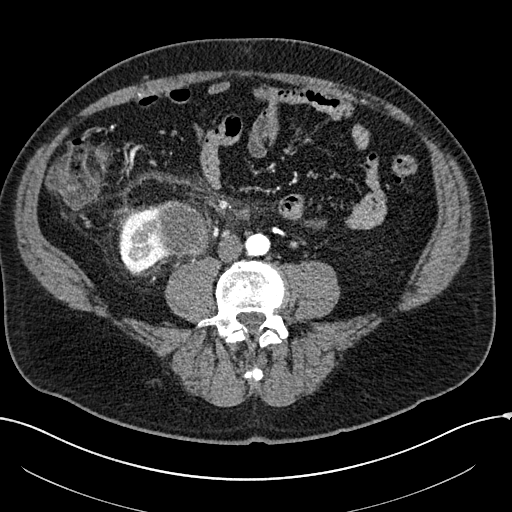
Abdominal CT with intravenous contrast, arterial phase, axial plane, 100 kVp, kernel I30f. Slice 37/304 from the bottom of the scan; thickness 2.00 mm; pixel size 0.809 mm.
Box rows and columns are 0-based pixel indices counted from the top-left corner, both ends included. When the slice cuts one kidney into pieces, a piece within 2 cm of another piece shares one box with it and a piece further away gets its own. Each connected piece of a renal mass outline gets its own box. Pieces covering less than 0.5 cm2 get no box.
One kidney box and one renal mass box on this slice; by box centre, from the image's left to its right: (1) Right kidney, box rows 206–274, columns 118–172 (outlined area 2,297 px, about 15.0 cm2). (2) Box rows 200–256, columns 154–209: right renal mass (outlined area 2,490 px, about 16.3 cm2).